One axial slice (38 of 69, counting up from the lowest) of a contrast-enhanced abdominal CT acquired with 140 kVp, kernel I41f; each pixel is 0.736 mm and the slice is 3.00 mm thick.
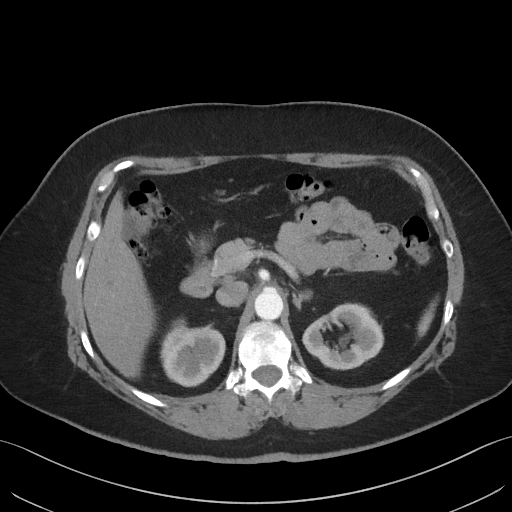
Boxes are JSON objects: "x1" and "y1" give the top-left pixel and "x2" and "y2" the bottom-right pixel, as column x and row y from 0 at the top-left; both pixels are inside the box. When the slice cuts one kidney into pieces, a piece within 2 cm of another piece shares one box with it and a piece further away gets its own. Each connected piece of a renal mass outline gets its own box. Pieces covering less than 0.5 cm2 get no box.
Two boxes on this slice (two kidney boxes), listed by box centre from the image's left to its right. (1) Right kidney at {"x1": 160, "y1": 319, "x2": 225, "y2": 387} (outlined area 3,247 px, about 17.6 cm2). (2) Left kidney at {"x1": 302, "y1": 302, "x2": 384, "y2": 370} (outlined area 3,750 px, about 20.3 cm2). No renal mass outline on this slice.